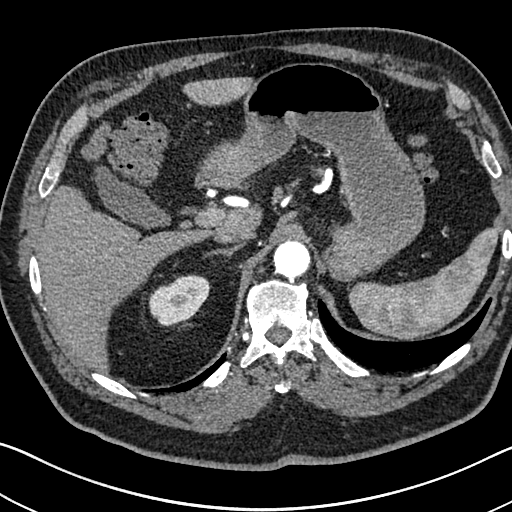
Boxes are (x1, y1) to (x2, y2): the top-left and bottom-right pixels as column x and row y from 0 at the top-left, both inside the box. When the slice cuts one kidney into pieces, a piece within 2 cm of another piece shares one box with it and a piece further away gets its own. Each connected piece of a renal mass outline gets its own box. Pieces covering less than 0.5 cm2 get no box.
This is axial slice 547 of 705 (slice 1 is the lowest) of an arterial-phase abdominal CT with contrast; each pixel is 0.703 mm and the slice is 1.00 mm thick. Right kidney, box (149, 274) to (210, 326) (outlined area 2,250 px, about 11.1 cm2). No renal mass outline on this slice.
Acquired at 120 kVp and reconstructed with the I30f kernel.